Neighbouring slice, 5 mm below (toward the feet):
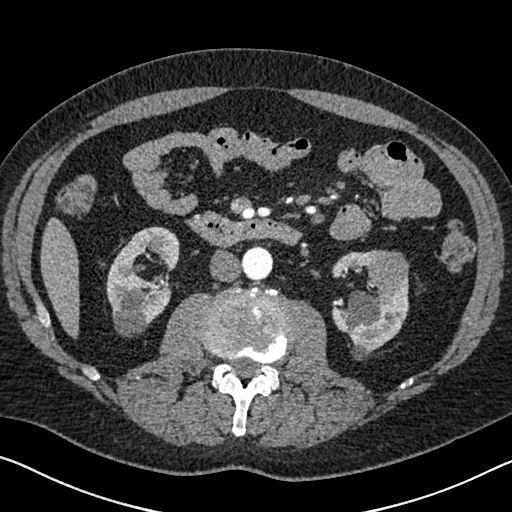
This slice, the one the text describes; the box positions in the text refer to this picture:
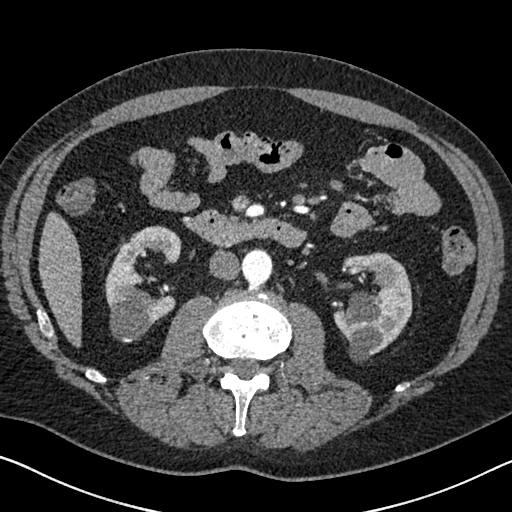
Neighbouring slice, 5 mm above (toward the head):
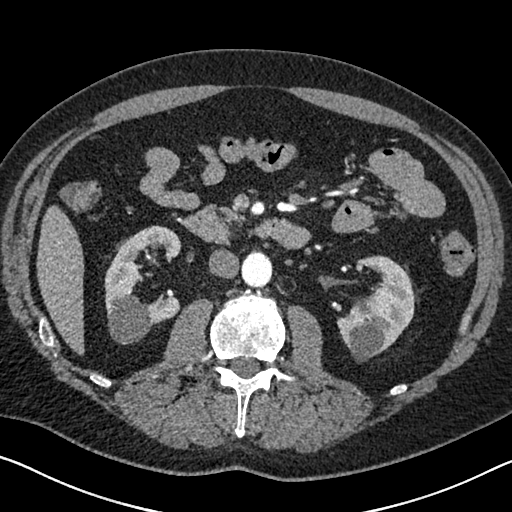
Axial slice 354 of 626 of a contrast-enhanced abdominal CT in the arterial phase (slice 1 is the lowest), 120 kVp, kernel I30f; 1.00 mm slice thickness and 0.703 mm pixels.
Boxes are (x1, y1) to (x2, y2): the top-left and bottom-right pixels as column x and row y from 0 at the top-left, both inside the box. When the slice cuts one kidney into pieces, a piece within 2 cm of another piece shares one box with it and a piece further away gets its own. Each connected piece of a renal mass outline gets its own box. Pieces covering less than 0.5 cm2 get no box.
Two kidney boxes and one renal mass box on this slice; by box centre, from the image's left to its right: (1) Right kidney from (105, 225) to (182, 341) (outlined area 5,302 px, about 26.2 cm2). (2) Box (333, 252) to (412, 362): left kidney (outlined area 5,728 px, about 28.3 cm2). (3) Left renal mass, box (379, 266) to (389, 279) (outlined area 125 px, about 0.6 cm2). This slice lies near the end of the left renal mass toward the head; the slices 5 mm below and 5 mm above it are shown too, and the boxes mark positions on this slice only.